Axial slice 110 of 270 of a contrast-enhanced abdominal CT in the arterial phase (slice 1 is the lowest), 100 kVp, kernel I40f; 2.00 mm slice thickness and 0.855 mm pixels.
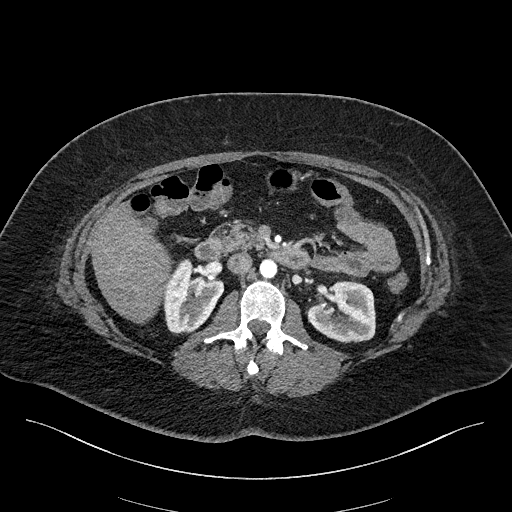
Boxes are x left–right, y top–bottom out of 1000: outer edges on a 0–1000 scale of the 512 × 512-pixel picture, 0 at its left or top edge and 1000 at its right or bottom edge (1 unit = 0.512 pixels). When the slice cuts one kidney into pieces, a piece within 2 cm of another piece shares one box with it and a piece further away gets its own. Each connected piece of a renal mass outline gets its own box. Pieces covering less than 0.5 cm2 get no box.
Two kidney boxes on this slice; by box centre, from the image's left to its right: (1) Right kidney, box x 318–439, y 504–654 out of 1000 (outlined area 3,242 px, about 23.7 cm2). (2) Left kidney at x 600–734, y 549–670 out of 1000 (outlined area 3,340 px, about 24.4 cm2). No renal mass is outlined on this slice.